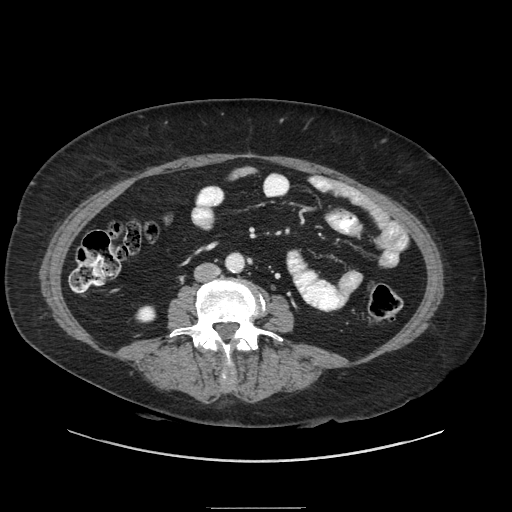
Axial slice 99 of 186 of a contrast-enhanced abdominal CT (slice 1 is the lowest), 120 kVp, kernel STANDARD; 2.50 mm slice thickness and 0.850 mm pixels.
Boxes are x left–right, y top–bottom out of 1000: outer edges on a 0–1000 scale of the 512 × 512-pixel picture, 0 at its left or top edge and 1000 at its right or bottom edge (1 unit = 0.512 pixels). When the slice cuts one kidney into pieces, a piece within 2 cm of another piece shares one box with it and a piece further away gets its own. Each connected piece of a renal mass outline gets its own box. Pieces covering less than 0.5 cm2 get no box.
Right kidney at x 264–307, y 596–631 out of 1000 (outlined area 305 px, about 2.2 cm2). No renal mass outline on this slice.